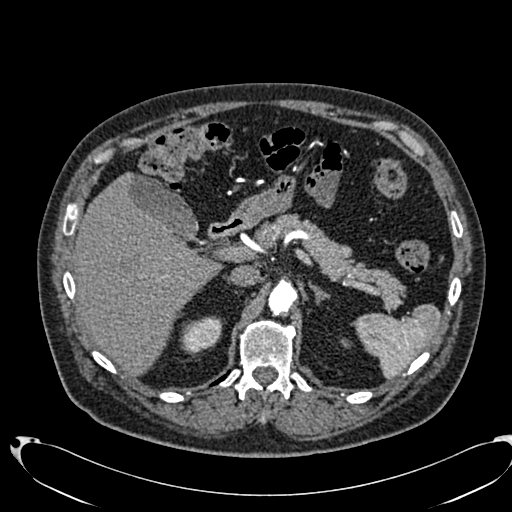
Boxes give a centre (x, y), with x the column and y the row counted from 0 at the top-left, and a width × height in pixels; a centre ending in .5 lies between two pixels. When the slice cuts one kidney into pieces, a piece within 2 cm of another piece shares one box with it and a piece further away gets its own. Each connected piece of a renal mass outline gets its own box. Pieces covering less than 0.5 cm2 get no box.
Arterial-phase contrast-enhanced abdominal CT, axial slice 493 of 553 (counted from the lowest slice); 1.00 mm thick, 0.773 mm per pixel. Right kidney, box centre (201, 336), 43 × 41 pixels (outlined area 1,187 px, about 7.1 cm2). No renal mass is outlined on this slice.
Acquired at 120 kVp and reconstructed with the B20f kernel.